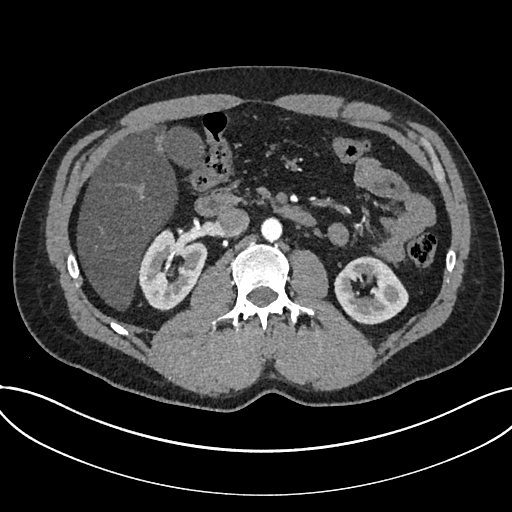
One axial slice (414 of 735, counting up from the lowest) of an arterial-phase abdominal CT acquired with 120 kVp, kernel I30f; each pixel is 0.789 mm and the slice is 1.00 mm thick.
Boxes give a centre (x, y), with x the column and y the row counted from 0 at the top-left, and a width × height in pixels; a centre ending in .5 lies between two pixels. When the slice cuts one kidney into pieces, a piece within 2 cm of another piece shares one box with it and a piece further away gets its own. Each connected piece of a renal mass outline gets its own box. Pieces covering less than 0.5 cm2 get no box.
Boxed on this slice (two kidney boxes), listed by box centre from the image's left to its right: (1) Kidney, box centre (172, 269), 69 × 83 pixels (outlined area 3,849 px, about 24.0 cm2). (2) Kidney, box centre (371, 290), 75 × 69 pixels (outlined area 3,523 px, about 21.9 cm2). This slice carries no renal mass outline.